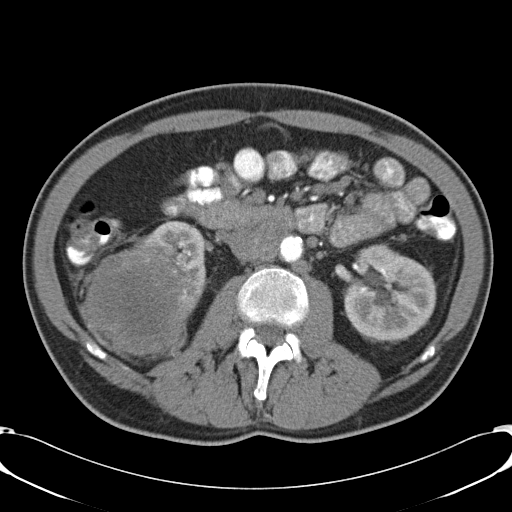
One axial slice (21 of 57, counting up from the lowest) of a contrast-enhanced abdominal CT acquired with 120 kVp, kernel B31f; each pixel is 0.732 mm and the slice is 5.00 mm thick.
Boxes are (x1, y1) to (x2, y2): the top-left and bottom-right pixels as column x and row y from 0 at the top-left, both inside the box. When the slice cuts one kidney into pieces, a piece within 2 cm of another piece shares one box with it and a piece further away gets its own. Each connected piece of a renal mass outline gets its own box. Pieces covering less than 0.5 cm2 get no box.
Two kidney boxes and one renal mass box on this slice; by box centre, from the image's left to its right: (1) Right renal mass, box (81, 233) to (183, 355) (outlined area 9,185 px, about 49.3 cm2). (2) Box (151, 220) to (206, 322): right kidney (outlined area 2,778 px, about 14.9 cm2). (3) Box (343, 243) to (436, 342): left kidney (outlined area 7,018 px, about 37.6 cm2).